Axial slice 480 of 787 of a contrast-enhanced abdominal CT (slice 1 is the lowest), 140 kVp, kernel I30f; 1.00 mm slice thickness and 0.910 mm pixels.
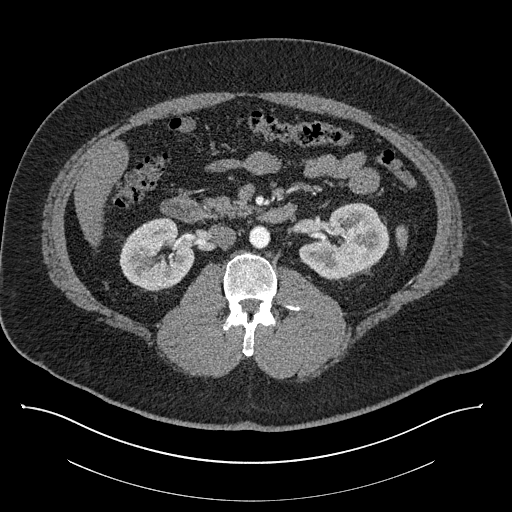
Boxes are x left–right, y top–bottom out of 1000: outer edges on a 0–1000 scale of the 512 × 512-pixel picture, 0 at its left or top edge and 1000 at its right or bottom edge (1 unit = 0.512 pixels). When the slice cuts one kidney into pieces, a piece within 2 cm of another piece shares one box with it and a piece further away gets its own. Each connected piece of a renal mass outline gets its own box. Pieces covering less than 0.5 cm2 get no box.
Boxed on this slice (two kidney boxes), listed by box centre from the image's left to its right: (1) Box x 232–379, y 424–570 out of 1000: right kidney (outlined area 4,067 px, about 33.7 cm2). (2) Box x 584–762, y 395–547 out of 1000: left kidney (outlined area 4,843 px, about 40.1 cm2). No renal mass is outlined on this slice.